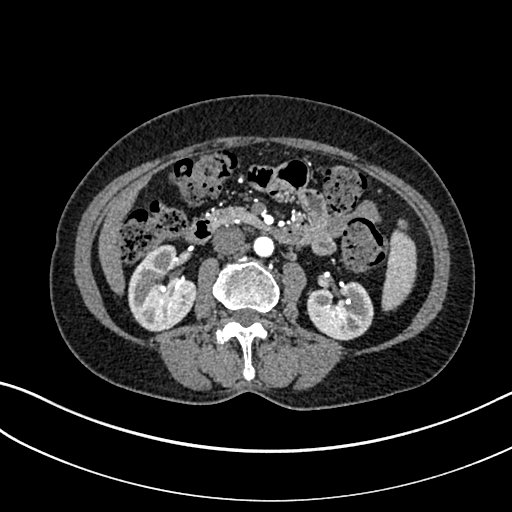
One axial slice (142 of 325, counting up from the lowest) of an arterial-phase abdominal CT acquired with 100 kVp, kernel I30f; each pixel is 0.703 mm and the slice is 1.00 mm thick.
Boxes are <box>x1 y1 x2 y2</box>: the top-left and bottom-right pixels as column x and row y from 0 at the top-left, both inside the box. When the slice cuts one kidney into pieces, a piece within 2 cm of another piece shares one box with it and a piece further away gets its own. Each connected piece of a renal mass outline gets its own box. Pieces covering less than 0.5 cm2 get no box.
Two kidney boxes on this slice; by box centre, from the image's left to its right: (1) At <box>128 244 196 332</box>: right kidney (outlined area 4,309 px, about 21.3 cm2). (2) At <box>307 281 373 340</box>: left kidney (outlined area 3,096 px, about 15.3 cm2). This slice carries no renal mass outline.